Abdominal CT with intravenous contrast, arterial phase, axial plane, 120 kVp, kernel STANDARD. Slice 113/262 from the bottom of the scan; thickness 2.50 mm; pixel size 0.703 mm.
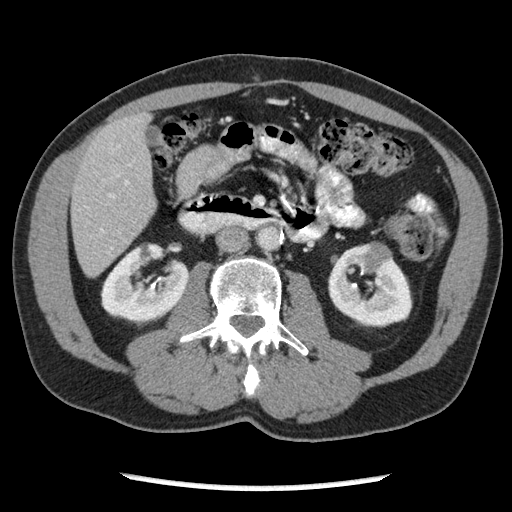
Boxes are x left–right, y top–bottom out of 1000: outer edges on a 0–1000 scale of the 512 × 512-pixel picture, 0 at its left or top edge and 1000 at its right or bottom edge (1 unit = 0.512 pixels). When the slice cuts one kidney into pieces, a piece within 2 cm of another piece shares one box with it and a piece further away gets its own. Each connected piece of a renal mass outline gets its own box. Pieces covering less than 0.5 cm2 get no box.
Three boxes on this slice (two kidney boxes and one renal mass box), listed by box centre from the image's left to its right. (1) Right kidney at x 195–367, y 473–637 out of 1000 (outlined area 4,937 px, about 24.4 cm2). (2) Left kidney at x 639–807, y 475–641 out of 1000 (outlined area 4,653 px, about 23.0 cm2). (3) Left renal mass, box x 703–768, y 471–537 out of 1000 (outlined area 703 px, about 3.5 cm2).